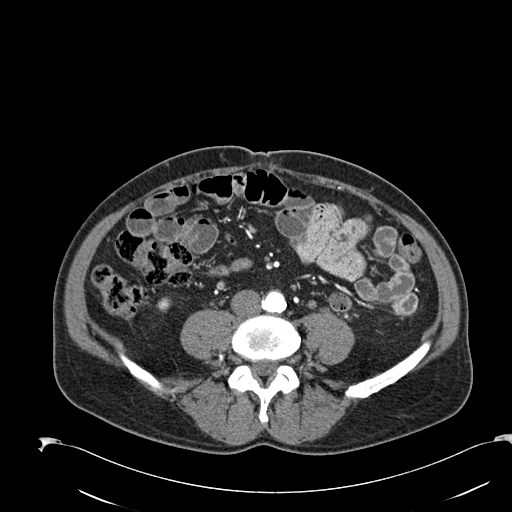
One axial slice (37 of 274, counting up from the lowest) of an arterial-phase abdominal CT acquired with 120 kVp, kernel B30f; each pixel is 0.809 mm and the slice is 2.00 mm thick.
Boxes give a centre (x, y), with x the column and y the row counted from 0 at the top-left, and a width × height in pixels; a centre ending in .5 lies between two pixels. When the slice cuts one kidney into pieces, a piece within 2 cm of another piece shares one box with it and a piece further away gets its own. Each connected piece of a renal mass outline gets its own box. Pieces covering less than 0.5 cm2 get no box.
Box centre (163.5, 304), 16 × 15 pixels: right kidney (outlined area 164 px, about 1.1 cm2). This slice carries no renal mass outline.